Abdominal CT with intravenous contrast, arterial phase, axial plane, 120 kVp, kernel I30f. Slice 493/738 from the bottom of the scan; thickness 1.00 mm; pixel size 0.789 mm.
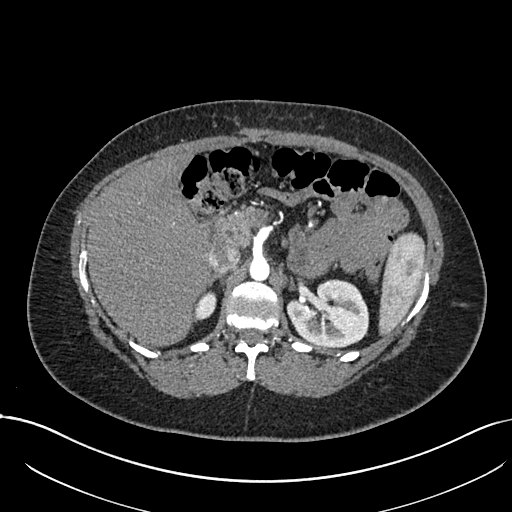
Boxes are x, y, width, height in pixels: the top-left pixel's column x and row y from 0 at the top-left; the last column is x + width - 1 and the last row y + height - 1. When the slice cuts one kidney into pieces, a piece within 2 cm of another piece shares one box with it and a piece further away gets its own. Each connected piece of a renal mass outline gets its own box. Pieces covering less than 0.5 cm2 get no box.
Two boxes on this slice (two kidney boxes), listed by box centre from the image's left to its right. (1) Right kidney, box x 193, y 290, width 24, height 32 (outlined area 493 px, about 3.1 cm2). (2) Left kidney, box x 286, y 279, width 84, height 68 (outlined area 4,261 px, about 26.5 cm2). No renal mass outline on this slice.